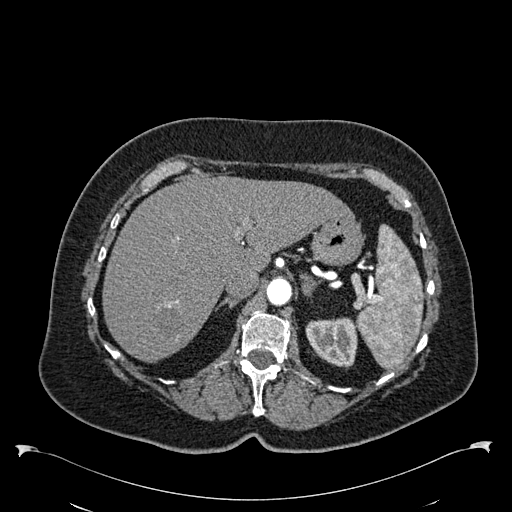
Arterial-phase contrast-enhanced abdominal CT, axial slice 420 of 538 (counted from the lowest slice); tube voltage 120 kVp, convolution kernel B30f; slices 1.00 mm thick, 0.811 mm per pixel.
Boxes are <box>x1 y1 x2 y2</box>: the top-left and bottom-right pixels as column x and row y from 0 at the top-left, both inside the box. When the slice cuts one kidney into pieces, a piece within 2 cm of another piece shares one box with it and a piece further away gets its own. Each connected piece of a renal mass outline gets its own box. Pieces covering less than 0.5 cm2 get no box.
Left kidney: <box>305 317 357 368</box> (outlined area 2,056 px, about 13.5 cm2). No renal mass is outlined on this slice.